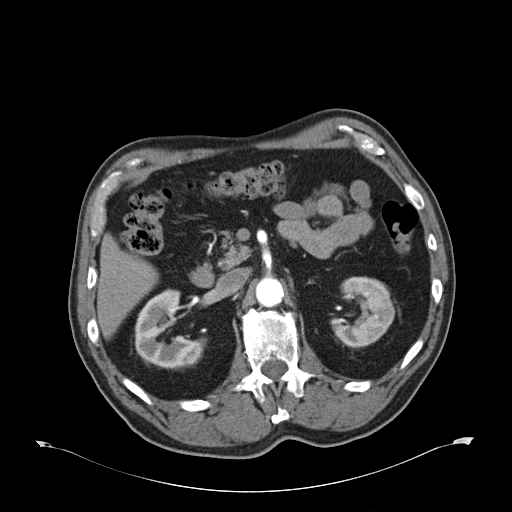
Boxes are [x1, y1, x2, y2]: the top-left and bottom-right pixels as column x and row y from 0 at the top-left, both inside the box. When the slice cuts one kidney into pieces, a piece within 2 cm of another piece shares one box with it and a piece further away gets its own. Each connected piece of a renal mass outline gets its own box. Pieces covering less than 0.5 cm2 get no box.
Arterial-phase contrast-enhanced abdominal CT, axial slice 35 of 59 (counted from the lowest slice); 5.00 mm thick, 0.871 mm per pixel. Two boxes on this slice (two kidney boxes), listed by box centre from the image's left to its right. (1) Right kidney at [134, 288, 207, 369] (outlined area 3,602 px, about 27.3 cm2). (2) Left kidney, box [329, 276, 395, 348] (outlined area 3,101 px, about 23.5 cm2). This slice carries no renal mass outline.
Acquired at 120 kVp and reconstructed with the B30f kernel.